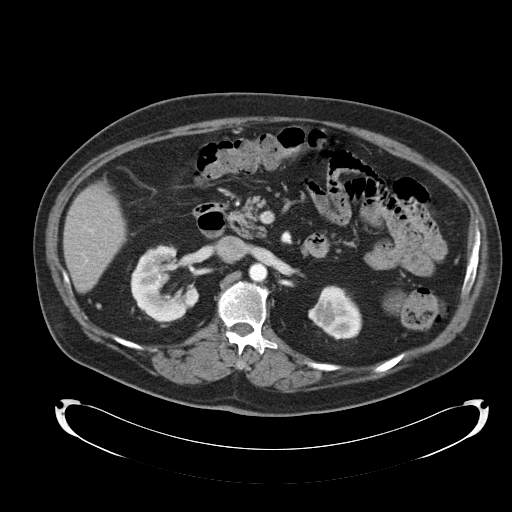
Axial slice 66 of 92 of a contrast-enhanced abdominal CT (slice 1 is the lowest), 120 kVp, kernel B30f; 5.00 mm slice thickness and 0.918 mm pixels.
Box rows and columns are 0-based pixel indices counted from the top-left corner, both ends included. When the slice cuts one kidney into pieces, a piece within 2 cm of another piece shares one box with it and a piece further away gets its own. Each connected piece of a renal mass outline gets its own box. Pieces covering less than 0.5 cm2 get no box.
Two kidney boxes on this slice; by box centre, from the image's left to its right: (1) Box rows 244–322, columns 130–199: right kidney (outlined area 3,446 px, about 29.0 cm2). (2) Left kidney at rows 285–340, columns 308–362 (outlined area 2,086 px, about 17.6 cm2). No renal mass is outlined on this slice.